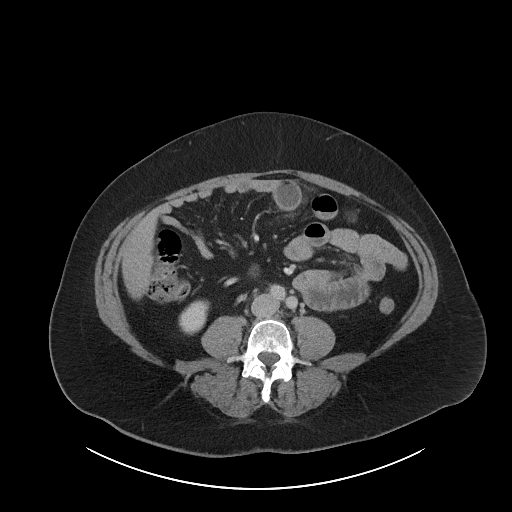
Abdominal CT with intravenous contrast, arterial phase, axial plane, 120 kVp, kernel I40f. Slice 42/86 from the bottom of the scan; thickness 5.00 mm; pixel size 0.977 mm.
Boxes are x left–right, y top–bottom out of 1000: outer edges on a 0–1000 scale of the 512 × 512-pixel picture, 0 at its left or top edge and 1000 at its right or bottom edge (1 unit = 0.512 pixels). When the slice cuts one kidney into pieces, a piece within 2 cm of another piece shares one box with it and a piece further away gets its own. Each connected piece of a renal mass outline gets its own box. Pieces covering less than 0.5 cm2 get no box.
Right kidney, box x 348–410, y 586–654 out of 1000 (outlined area 786 px, about 7.5 cm2). This slice carries no renal mass outline.